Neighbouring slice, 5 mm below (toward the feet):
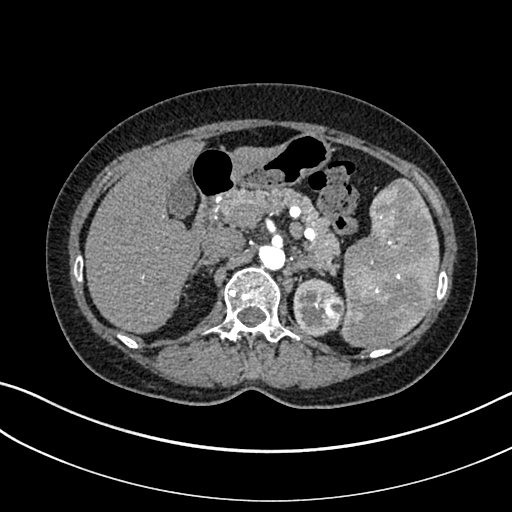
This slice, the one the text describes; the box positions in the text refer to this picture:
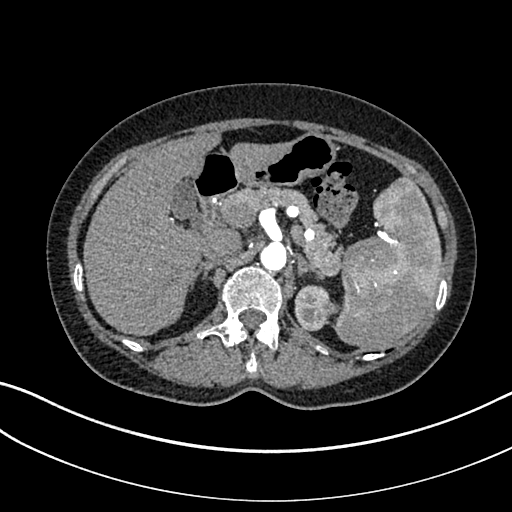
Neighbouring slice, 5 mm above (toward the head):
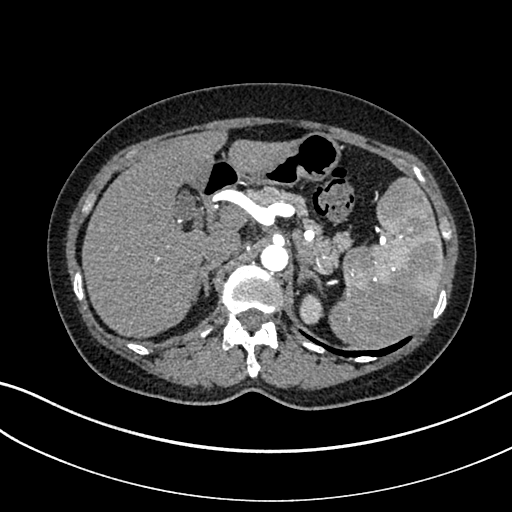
Axial slice 241 of 325 of a contrast-enhanced abdominal CT in the arterial phase (slice 1 is the lowest), 100 kVp, kernel I30f; 1.00 mm slice thickness and 0.703 mm pixels.
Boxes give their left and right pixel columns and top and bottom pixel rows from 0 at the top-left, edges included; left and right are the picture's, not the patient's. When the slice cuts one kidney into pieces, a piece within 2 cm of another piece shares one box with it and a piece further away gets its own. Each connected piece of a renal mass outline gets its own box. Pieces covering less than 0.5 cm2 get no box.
One kidney box and one renal mass box on this slice; by box centre, from the image's left to its right: (1) Left kidney, the box with left 294, top 285, right 329, bottom 331 (outlined area 1,280 px, about 6.3 cm2). (2) Left renal mass, the box with left 324, top 298, right 341, bottom 316 (outlined area 206 px, about 1.0 cm2). This slice is near the end of the left renal mass toward the head, so the slices 5 mm below and 5 mm above it are shown as well; the boxes refer to this slice only.